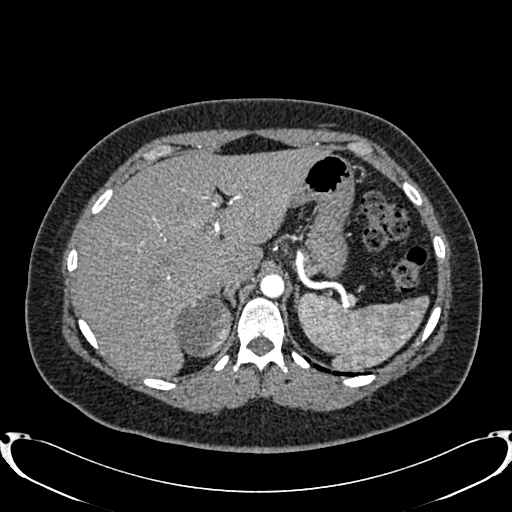
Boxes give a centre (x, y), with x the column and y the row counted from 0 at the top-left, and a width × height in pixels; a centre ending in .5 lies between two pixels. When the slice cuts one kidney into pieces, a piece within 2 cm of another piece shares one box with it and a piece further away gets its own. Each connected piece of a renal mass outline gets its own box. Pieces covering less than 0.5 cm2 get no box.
Slice 618/719 of a contrast-enhanced abdominal CT in the arterial phase, counting up from the lowest; pixel size 0.766 mm, slice thickness 1.00 mm. Right renal mass in a box with centre (203, 326.5), 59 × 62 pixels (outlined area 2,708 px, about 15.9 cm2); no kidney is outlined on this slice, but the same outlined renal mass comes within 1 cm of the kidney on another slice.
Tube voltage 120 kVp; convolution kernel B20f.